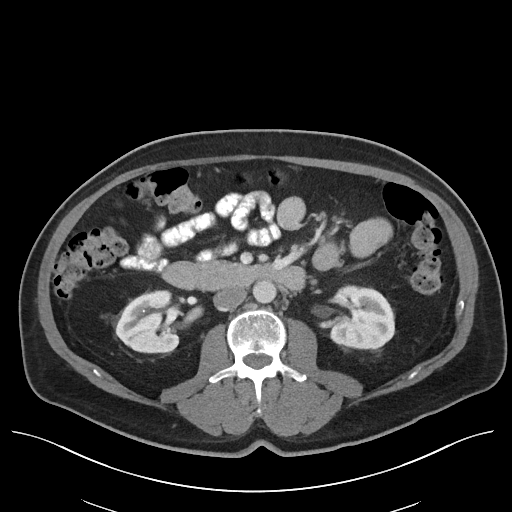
Axial slice 63 of 96 of a contrast-enhanced abdominal CT in the arterial phase (slice 1 is the lowest), 120 kVp, kernel I40f; 5.00 mm slice thickness and 0.840 mm pixels.
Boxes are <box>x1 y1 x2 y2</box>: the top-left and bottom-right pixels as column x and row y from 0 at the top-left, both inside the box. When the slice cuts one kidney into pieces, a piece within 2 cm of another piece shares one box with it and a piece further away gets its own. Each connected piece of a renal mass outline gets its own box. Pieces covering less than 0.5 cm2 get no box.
Two kidney boxes on this slice; by box centre, from the image's left to its right: (1) At <box>115 290 178 353</box>: right kidney (outlined area 3,159 px, about 22.3 cm2). (2) At <box>329 285 394 349</box>: left kidney (outlined area 3,346 px, about 23.6 cm2). No renal mass is outlined on this slice.